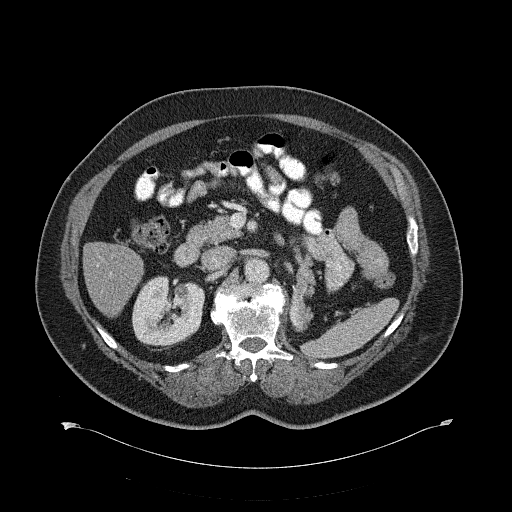
One axial slice (387 of 734, counting up from the lowest) of a contrast-enhanced abdominal CT acquired with 120 kVp, kernel B31f; each pixel is 0.971 mm and the slice is 2.00 mm thick.
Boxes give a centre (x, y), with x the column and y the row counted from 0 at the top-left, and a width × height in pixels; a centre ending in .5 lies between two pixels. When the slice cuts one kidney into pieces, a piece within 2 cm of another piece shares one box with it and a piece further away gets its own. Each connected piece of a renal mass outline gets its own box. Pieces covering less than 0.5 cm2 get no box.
Right kidney, box centre (168, 312.5), 73 × 76 pixels (outlined area 4,171 px, about 39.3 cm2). No renal mass outline on this slice.